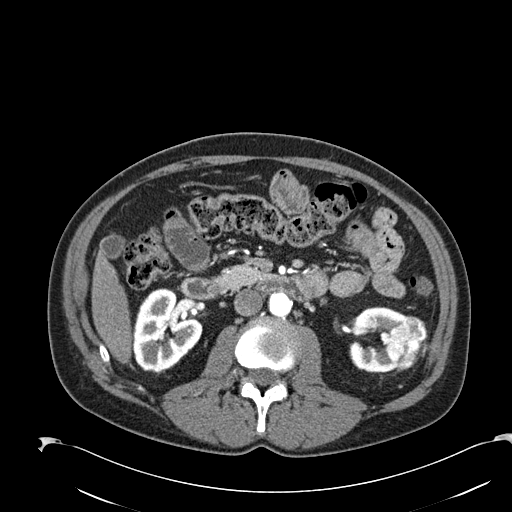
One axial slice (108 of 274, counting up from the lowest) of an arterial-phase abdominal CT acquired with 120 kVp, kernel B30f; each pixel is 0.809 mm and the slice is 2.00 mm thick.
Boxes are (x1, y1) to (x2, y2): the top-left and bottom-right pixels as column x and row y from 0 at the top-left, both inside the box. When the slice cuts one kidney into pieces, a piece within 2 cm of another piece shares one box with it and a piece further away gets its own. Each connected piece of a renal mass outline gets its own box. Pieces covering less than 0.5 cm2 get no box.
Three boxes on this slice (two kidney boxes and one renal mass box), listed by box centre from the image's left to its right. (1) Box (133, 289) to (202, 372): right kidney (outlined area 4,125 px, about 27.0 cm2). (2) Left kidney from (349, 306) to (406, 372) (outlined area 2,292 px, about 15.0 cm2). (3) Left renal mass from (385, 316) to (427, 371) (outlined area 1,622 px, about 10.6 cm2).